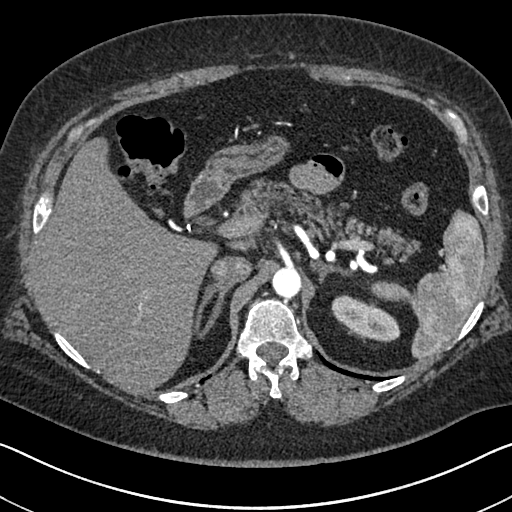
Arterial-phase contrast-enhanced abdominal CT, axial slice 498 of 591 (counted from the lowest slice); tube voltage 140 kVp, convolution kernel I30f; slices 1.00 mm thick, 0.703 mm per pixel.
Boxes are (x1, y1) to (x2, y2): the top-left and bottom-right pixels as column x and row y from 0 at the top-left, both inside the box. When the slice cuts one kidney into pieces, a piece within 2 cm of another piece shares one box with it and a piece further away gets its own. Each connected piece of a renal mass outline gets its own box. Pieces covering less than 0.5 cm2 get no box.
Box (331, 295) to (400, 341): left kidney (outlined area 1,984 px, about 9.8 cm2). No renal mass outline on this slice.